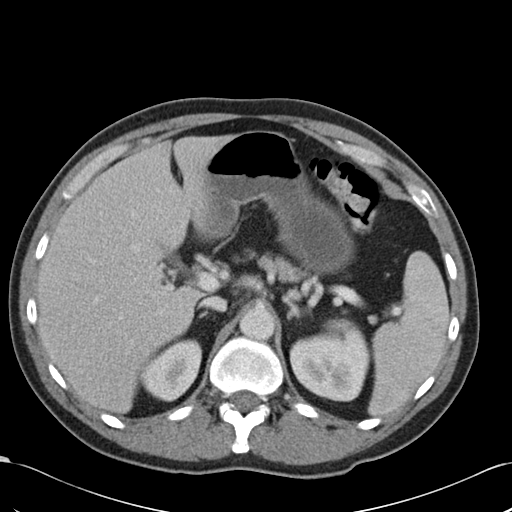
Arterial-phase contrast-enhanced abdominal CT, axial slice 75 of 99 (counted from the lowest slice); tube voltage 120 kVp, convolution kernel B30f; slices 5.00 mm thick, 0.693 mm per pixel.
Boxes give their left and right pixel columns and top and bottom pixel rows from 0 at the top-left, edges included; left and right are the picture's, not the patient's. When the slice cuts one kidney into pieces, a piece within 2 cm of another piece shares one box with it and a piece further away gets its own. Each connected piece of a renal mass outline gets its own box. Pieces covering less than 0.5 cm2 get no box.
Two boxes on this slice (two kidney boxes), listed by box centre from the image's left to its right. (1) Box with left 138, top 338, right 202, bottom 401: right kidney (outlined area 2,835 px, about 13.6 cm2). (2) Left kidney, the box with left 289, top 333, right 372, bottom 401 (outlined area 4,477 px, about 21.5 cm2). This slice carries no renal mass outline.